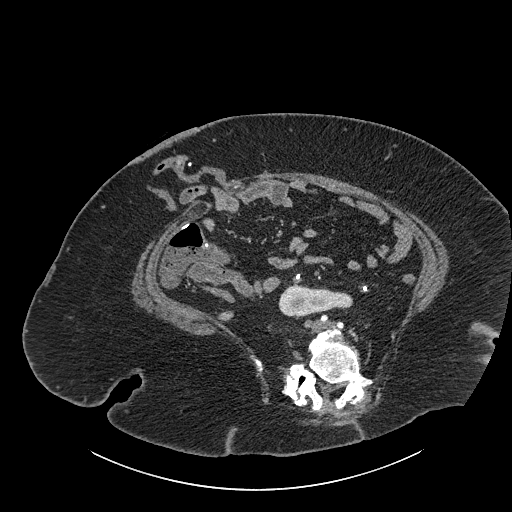
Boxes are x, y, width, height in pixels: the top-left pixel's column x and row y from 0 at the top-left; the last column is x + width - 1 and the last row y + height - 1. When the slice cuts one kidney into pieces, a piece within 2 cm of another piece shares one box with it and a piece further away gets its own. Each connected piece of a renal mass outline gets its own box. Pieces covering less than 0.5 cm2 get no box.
This is axial slice 400 of 834 (slice 1 is the lowest) of an abdominal CT with contrast; each pixel is 0.977 mm and the slice is 1.00 mm thick. Box x 278, y 285, width 75, height 34: right part of the midline-crossing kidney (outlined area 1,765 px, about 16.8 cm2). No renal mass is outlined on this slice.
Tube voltage 140 kVp; convolution kernel I30f.